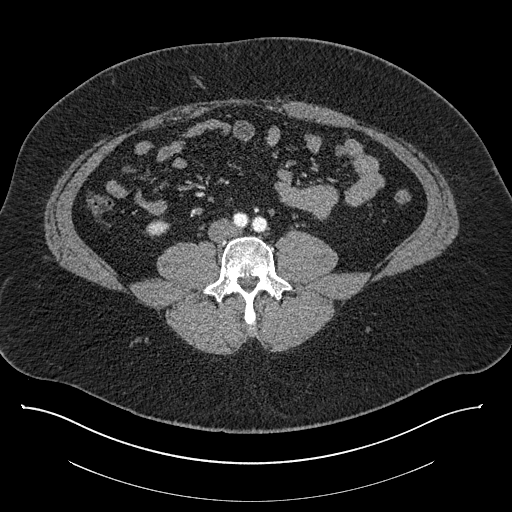
Contrast-enhanced abdominal CT, axial slice 318 of 787 (counted from the lowest slice); tube voltage 140 kVp, convolution kernel I30f; slices 1.00 mm thick, 0.910 mm per pixel.
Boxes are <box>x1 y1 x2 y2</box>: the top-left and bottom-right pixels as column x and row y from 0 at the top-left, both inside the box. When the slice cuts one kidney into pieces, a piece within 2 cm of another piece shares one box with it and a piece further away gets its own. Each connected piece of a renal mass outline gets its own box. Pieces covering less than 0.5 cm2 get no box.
At <box>145 219 170 237</box>: right kidney (outlined area 309 px, about 2.6 cm2). No renal mass is outlined on this slice.